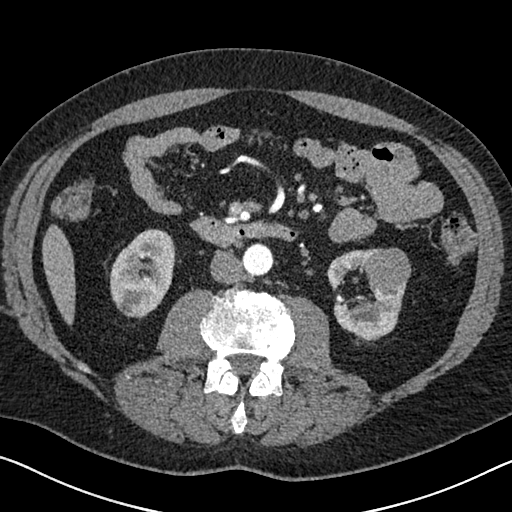
Abdominal CT with intravenous contrast, arterial phase, axial plane, 120 kVp, kernel I30f. Slice 331/626 from the bottom of the scan; thickness 1.00 mm; pixel size 0.703 mm.
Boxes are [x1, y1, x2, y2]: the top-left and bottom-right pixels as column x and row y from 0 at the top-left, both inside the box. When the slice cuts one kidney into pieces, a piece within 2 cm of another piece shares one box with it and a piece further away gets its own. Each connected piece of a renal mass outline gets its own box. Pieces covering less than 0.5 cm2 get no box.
Two kidney boxes and one renal mass box on this slice; by box centre, from the image's left to its right: (1) Right kidney, box [110, 229, 175, 318] (outlined area 4,375 px, about 21.6 cm2). (2) Box [326, 248, 406, 341]: left kidney (outlined area 3,628 px, about 17.9 cm2). (3) Box [363, 247, 411, 295]: left renal mass (outlined area 1,744 px, about 8.6 cm2).